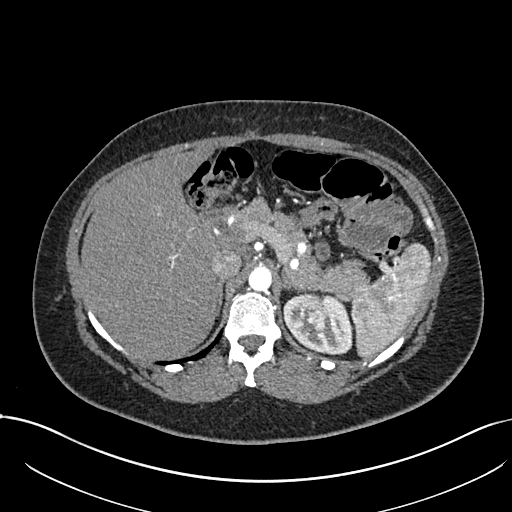
Arterial-phase contrast-enhanced abdominal CT, axial slice 530 of 738 (counted from the lowest slice); tube voltage 120 kVp, convolution kernel I30f; slices 1.00 mm thick, 0.789 mm per pixel.
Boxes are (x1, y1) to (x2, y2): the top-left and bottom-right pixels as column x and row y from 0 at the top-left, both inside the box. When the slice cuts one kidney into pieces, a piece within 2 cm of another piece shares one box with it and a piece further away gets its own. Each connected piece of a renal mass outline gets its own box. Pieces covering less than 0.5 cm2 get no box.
Boxed on this slice (one kidney box and one renal mass box), listed by box centre from the image's left to its right: (1) Box (304, 297) to (326, 331): left renal mass (outlined area 612 px, about 3.8 cm2). (2) Left kidney from (283, 292) to (352, 354) (outlined area 2,806 px, about 17.5 cm2).